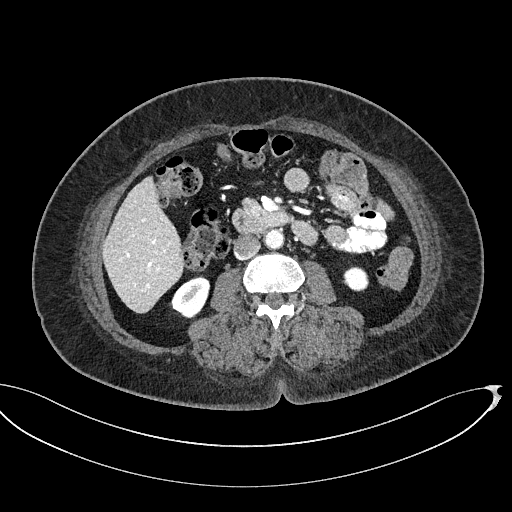
Contrast-enhanced abdominal CT, axial slice 265 of 439 (counted from the lowest slice); tube voltage 100 kVp, convolution kernel I40f; slices 2.00 mm thick, 0.850 mm per pixel.
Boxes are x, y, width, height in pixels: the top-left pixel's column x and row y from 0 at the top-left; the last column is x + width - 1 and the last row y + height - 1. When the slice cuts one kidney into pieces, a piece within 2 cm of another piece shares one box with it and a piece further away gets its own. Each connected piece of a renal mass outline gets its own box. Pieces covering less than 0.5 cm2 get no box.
Boxed on this slice (two kidney boxes), listed by box centre from the image's left to its right: (1) Right kidney, box x 170, y 276, width 41, height 43 (outlined area 1,172 px, about 8.5 cm2). (2) Left kidney at x 343, y 266, width 26, height 26 (outlined area 523 px, about 3.8 cm2). This slice carries no renal mass outline.